One axial slice (221 of 541, counting up from the lowest) of an arterial-phase abdominal CT acquired with 120 kVp, kernel I30f; each pixel is 0.834 mm and the slice is 1.00 mm thick.
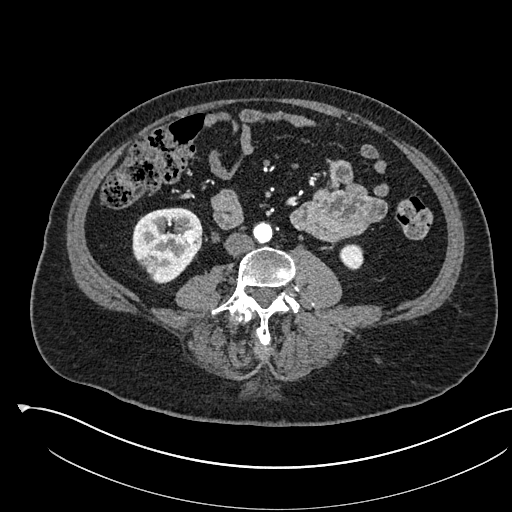
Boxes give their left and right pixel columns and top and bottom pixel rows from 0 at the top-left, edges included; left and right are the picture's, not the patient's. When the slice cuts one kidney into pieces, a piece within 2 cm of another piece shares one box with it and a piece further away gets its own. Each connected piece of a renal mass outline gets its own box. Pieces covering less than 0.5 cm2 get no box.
Two kidney boxes and one renal mass box on this slice; by box centre, from the image's left to its right: (1) Box with left 132, top 207, right 202, bottom 283: right kidney (outlined area 3,852 px, about 26.8 cm2). (2) Box with left 182, top 229, right 199, bottom 245: right renal mass (outlined area 246 px, about 1.7 cm2). (3) Box with left 339, top 244, right 363, bottom 270: left kidney (outlined area 520 px, about 3.6 cm2).